Arterial-phase contrast-enhanced abdominal CT, axial slice 70 of 106 (counted from the lowest slice); tube voltage 120 kVp, convolution kernel STANDARD; slices 2.50 mm thick, 0.742 mm per pixel.
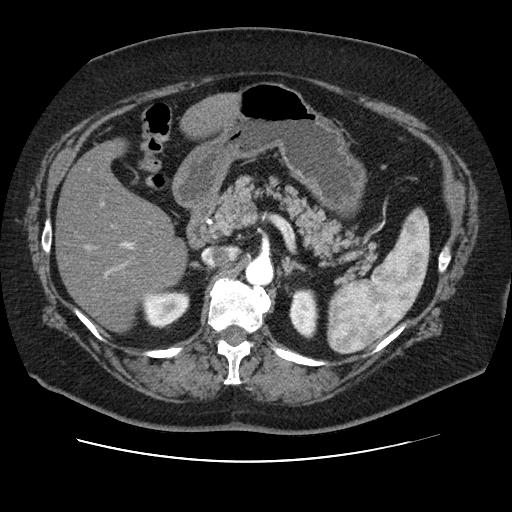
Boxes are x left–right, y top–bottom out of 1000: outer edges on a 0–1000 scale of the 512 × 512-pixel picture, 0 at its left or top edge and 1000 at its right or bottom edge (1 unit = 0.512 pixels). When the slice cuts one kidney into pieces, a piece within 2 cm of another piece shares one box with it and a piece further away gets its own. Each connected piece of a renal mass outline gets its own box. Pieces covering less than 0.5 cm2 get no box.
Two kidney boxes on this slice; by box centre, from the image's left to its right: (1) Box x 275–371, y 566–643 out of 1000: right kidney (outlined area 1,449 px, about 8.0 cm2). (2) Box x 564–623, y 563–664 out of 1000: left kidney (outlined area 1,175 px, about 6.5 cm2). No renal mass outline on this slice.